Axial slice 352 of 723 of a contrast-enhanced abdominal CT in the arterial phase (slice 1 is the lowest), 120 kVp, kernel B30f; 1.00 mm slice thickness and 0.895 mm pixels.
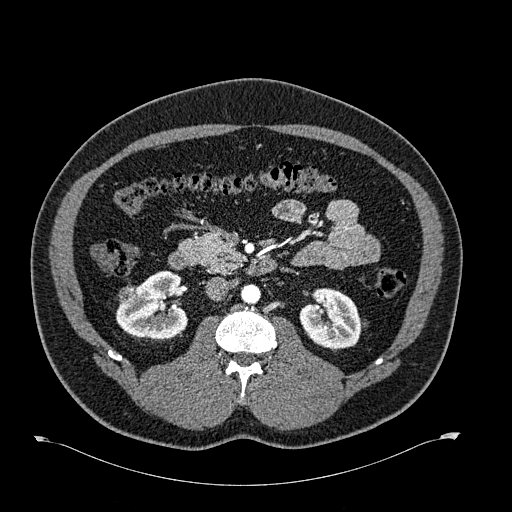
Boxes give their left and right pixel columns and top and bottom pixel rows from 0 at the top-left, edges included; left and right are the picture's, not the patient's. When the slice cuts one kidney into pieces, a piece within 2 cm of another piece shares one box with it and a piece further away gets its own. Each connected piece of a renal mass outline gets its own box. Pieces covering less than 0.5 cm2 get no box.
Boxed on this slice (two kidney boxes and one renal mass box), listed by box centre from the image's left to its right: (1) Right renal mass in the box with left 118, top 285, right 138, bottom 304 (outlined area 321 px, about 2.6 cm2). (2) Right kidney in the box with left 116, top 270, right 188, bottom 340 (outlined area 3,522 px, about 28.2 cm2). (3) Left kidney, the box with left 299, top 288, right 367, bottom 348 (outlined area 2,910 px, about 23.3 cm2).